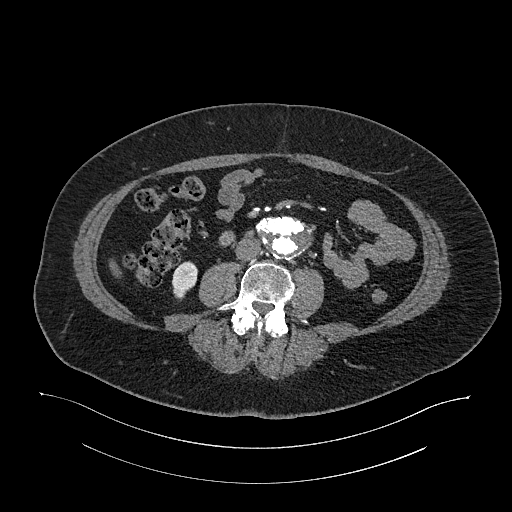
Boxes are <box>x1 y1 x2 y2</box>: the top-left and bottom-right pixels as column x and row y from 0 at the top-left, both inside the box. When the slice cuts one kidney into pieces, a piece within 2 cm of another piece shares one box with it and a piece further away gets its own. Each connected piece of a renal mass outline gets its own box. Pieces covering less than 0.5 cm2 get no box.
Arterial-phase contrast-enhanced abdominal CT, axial slice 535 of 987 (counted from the lowest slice); 1.00 mm thick, 0.977 mm per pixel. At <box>171 261 197 299</box>: right kidney (outlined area 726 px, about 6.9 cm2). No renal mass is outlined on this slice.
Acquired at 120 kVp and reconstructed with the I26f kernel.